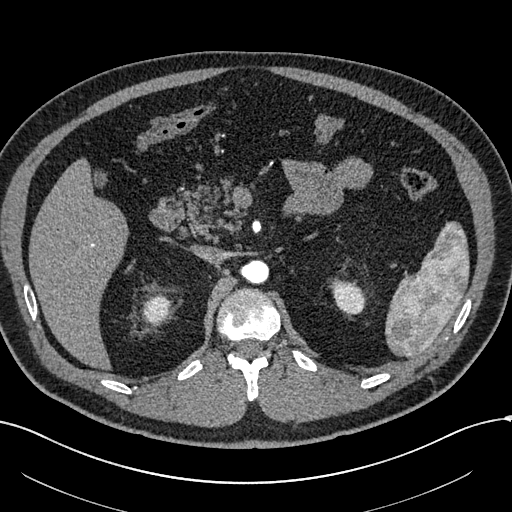
Abdominal CT with intravenous contrast, arterial phase, axial plane, 120 kVp, kernel I30f. Slice 413/602 from the bottom of the scan; thickness 1.00 mm; pixel size 0.799 mm.
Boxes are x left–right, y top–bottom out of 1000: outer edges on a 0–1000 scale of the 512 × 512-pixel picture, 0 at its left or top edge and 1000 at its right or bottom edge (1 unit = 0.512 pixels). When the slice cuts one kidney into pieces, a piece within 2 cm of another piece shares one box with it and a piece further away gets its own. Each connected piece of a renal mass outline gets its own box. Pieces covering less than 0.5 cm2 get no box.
Two kidney boxes on this slice; by box centre, from the image's left to its right: (1) Right kidney, box x 275–336, y 574–635 out of 1000 (outlined area 730 px, about 4.7 cm2). (2) Left kidney at x 648–715, y 547–615 out of 1000 (outlined area 885 px, about 5.6 cm2). No renal mass outline on this slice.